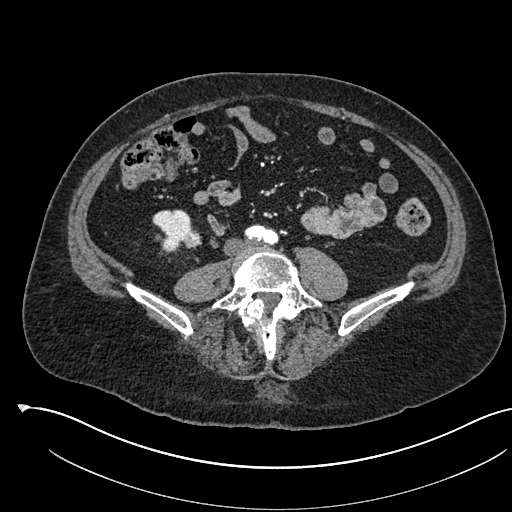
Axial slice 191 of 541 of a contrast-enhanced abdominal CT in the arterial phase (slice 1 is the lowest), 120 kVp, kernel I30f; 1.00 mm slice thickness and 0.834 mm pixels.
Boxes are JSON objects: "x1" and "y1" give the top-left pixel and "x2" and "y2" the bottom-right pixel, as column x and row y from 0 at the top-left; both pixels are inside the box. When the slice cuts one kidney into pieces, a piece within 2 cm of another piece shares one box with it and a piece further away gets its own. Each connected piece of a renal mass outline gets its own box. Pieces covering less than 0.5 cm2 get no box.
Boxed on this slice (one kidney box and one renal mass box), listed by box centre from the image's left to its right: (1) Right kidney, box {"x1": 152, "y1": 209, "x2": 192, "y2": 252} (outlined area 1,158 px, about 8.1 cm2). (2) Right renal mass at {"x1": 182, "y1": 229, "x2": 201, "y2": 248} (outlined area 292 px, about 2.0 cm2).